Arterial-phase contrast-enhanced abdominal CT, axial slice 71 of 207 (counted from the lowest slice); tube voltage 120 kVp, convolution kernel FC18; slices 2.00 mm thick, 0.741 mm per pixel.
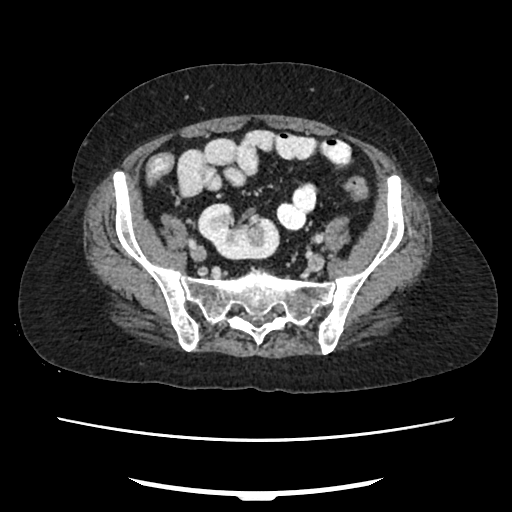
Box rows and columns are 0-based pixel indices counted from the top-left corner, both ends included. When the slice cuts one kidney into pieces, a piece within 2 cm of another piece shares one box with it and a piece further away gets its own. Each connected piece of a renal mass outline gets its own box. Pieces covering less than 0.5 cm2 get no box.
Right kidney, box rows 203–259, columns 197–279 (outlined area 3,408 px, about 18.7 cm2). This slice carries no renal mass outline.